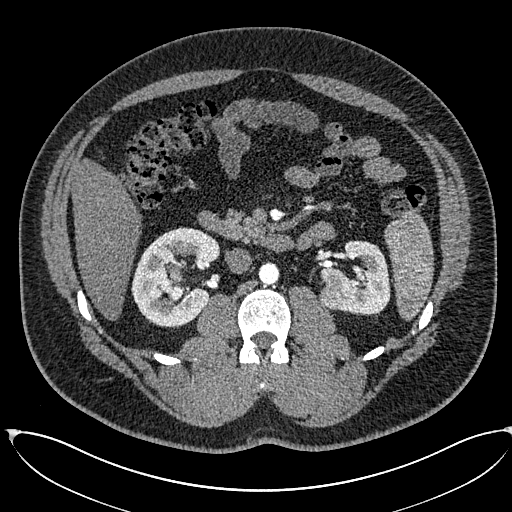
Abdominal CT with intravenous contrast, arterial phase, axial plane, 120 kVp, kernel I30f. Slice 345/673 from the bottom of the scan; thickness 1.00 mm; pixel size 0.855 mm.
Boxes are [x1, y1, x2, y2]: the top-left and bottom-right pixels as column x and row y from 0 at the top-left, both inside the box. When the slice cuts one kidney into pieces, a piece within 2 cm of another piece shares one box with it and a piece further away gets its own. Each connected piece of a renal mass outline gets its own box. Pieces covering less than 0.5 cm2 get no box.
Boxed on this slice (two kidney boxes and three renal mass boxes), listed by box centre from the image's left to its right: (1) Right kidney, box [131, 227, 220, 326] (outlined area 5,899 px, about 43.2 cm2). (2) Right renal mass, box [169, 267, 184, 283] (outlined area 205 px, about 1.5 cm2). (3) Box [168, 286, 185, 300]: right renal mass (outlined area 197 px, about 1.4 cm2). (4) Left renal mass, box [317, 283, 349, 310] (outlined area 693 px, about 5.1 cm2). (5) Left kidney, box [320, 240, 390, 315] (outlined area 3,391 px, about 24.8 cm2).